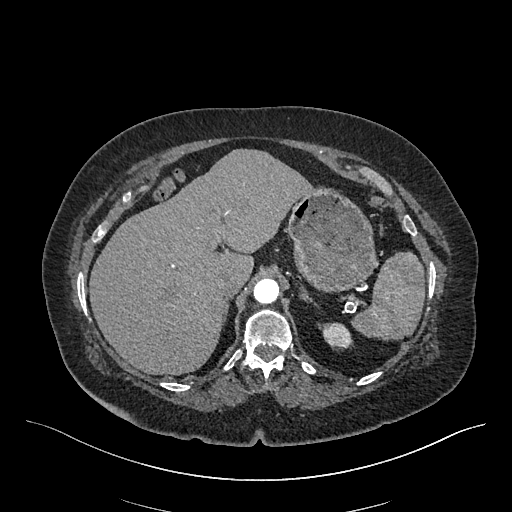
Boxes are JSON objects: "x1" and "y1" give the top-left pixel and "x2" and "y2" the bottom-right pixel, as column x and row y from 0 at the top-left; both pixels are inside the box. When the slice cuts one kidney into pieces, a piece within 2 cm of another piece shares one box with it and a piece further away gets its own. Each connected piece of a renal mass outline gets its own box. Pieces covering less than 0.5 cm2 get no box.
Slice 368/548 of a contrast-enhanced abdominal CT in the arterial phase, counting up from the lowest; pixel size 0.852 mm, slice thickness 1.00 mm. Box {"x1": 321, "y1": 322, "x2": 351, "y2": 347}: left kidney (outlined area 610 px, about 4.4 cm2). This slice carries no renal mass outline.
Acquired at 120 kVp and reconstructed with the I26f kernel.